Arterial-phase contrast-enhanced abdominal CT, axial slice 307 of 738 (counted from the lowest slice); tube voltage 120 kVp, convolution kernel I30f; slices 1.00 mm thick, 0.789 mm per pixel.
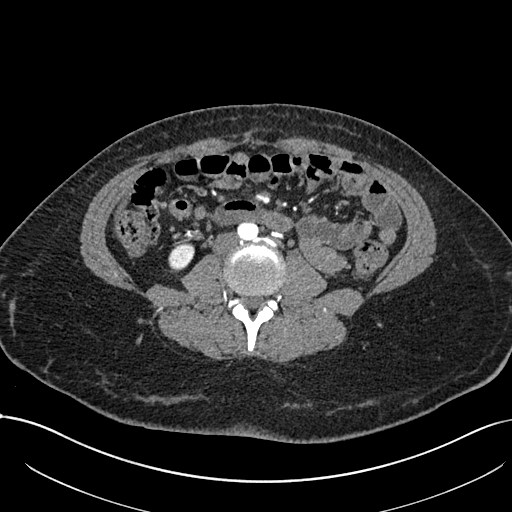
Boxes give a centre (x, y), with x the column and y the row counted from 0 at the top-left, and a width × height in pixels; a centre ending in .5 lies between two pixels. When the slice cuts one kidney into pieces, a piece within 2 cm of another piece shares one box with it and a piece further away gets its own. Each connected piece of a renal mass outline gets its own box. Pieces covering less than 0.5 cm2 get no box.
Box centre (181, 256.5), 27 × 32 pixels: right kidney (outlined area 608 px, about 3.8 cm2). No renal mass outline on this slice.